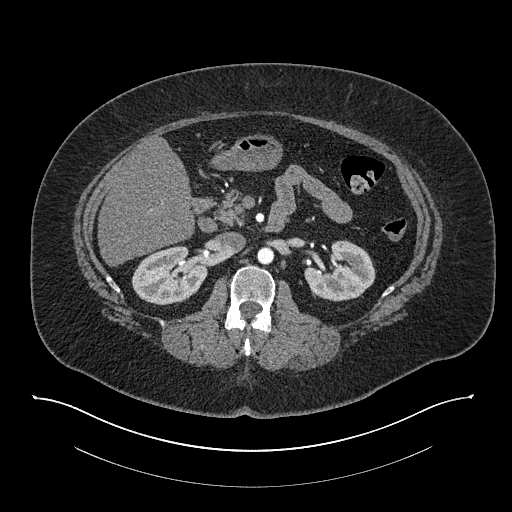
Abdominal CT with intravenous contrast, arterial phase, axial plane, 140 kVp, kernel I30f. Slice 476/673 from the bottom of the scan; thickness 1.00 mm; pixel size 0.957 mm.
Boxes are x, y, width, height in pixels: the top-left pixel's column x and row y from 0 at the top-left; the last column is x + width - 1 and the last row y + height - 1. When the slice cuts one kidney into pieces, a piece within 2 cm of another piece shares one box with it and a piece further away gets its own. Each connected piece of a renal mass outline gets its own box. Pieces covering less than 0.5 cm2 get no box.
Boxed on this slice (two kidney boxes), listed by box centre from the image's left to its right: (1) Right kidney at x 131, y 246, width 78, height 60 (outlined area 3,324 px, about 30.4 cm2). (2) Left kidney at x 304, y 240, width 72, height 62 (outlined area 3,083 px, about 28.2 cm2). This slice carries no renal mass outline.